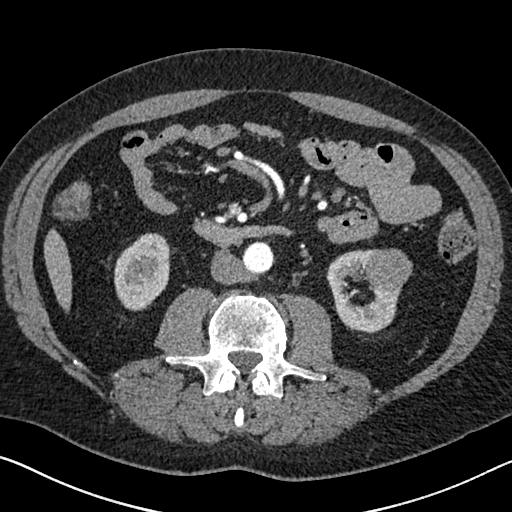
Arterial-phase contrast-enhanced abdominal CT, axial slice 322 of 626 (counted from the lowest slice); tube voltage 120 kVp, convolution kernel I30f; slices 1.00 mm thick, 0.703 mm per pixel.
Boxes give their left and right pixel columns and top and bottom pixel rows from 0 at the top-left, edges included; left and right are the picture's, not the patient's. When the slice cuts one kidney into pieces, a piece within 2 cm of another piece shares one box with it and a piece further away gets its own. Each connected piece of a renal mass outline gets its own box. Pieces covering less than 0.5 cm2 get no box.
Boxed on this slice (two kidney boxes and one renal mass box), listed by box centre from the image's left to its right: (1) Right kidney in the box with left 114, top 233, right 170, bottom 311 (outlined area 3,360 px, about 16.6 cm2). (2) Left kidney, the box with left 326, top 249, right 401, bottom 333 (outlined area 3,365 px, about 16.6 cm2). (3) Box with left 364, top 248, right 412, bottom 291: left renal mass (outlined area 1,674 px, about 8.3 cm2).